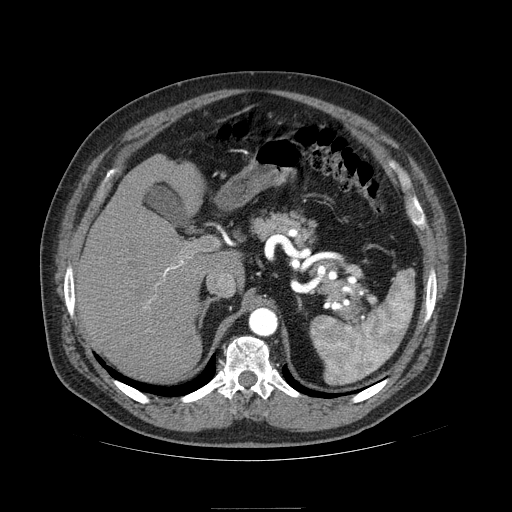
Axial slice 78 of 121 of a contrast-enhanced abdominal CT in the arterial phase (slice 1 is the lowest), 120 kVp, kernel STANDARD; 2.50 mm slice thickness and 0.861 mm pixels.
This slice carries no outline: it lies beyond the outlined kidneys and beyond every outlined renal mass. Other organs are not outlined in this scan.